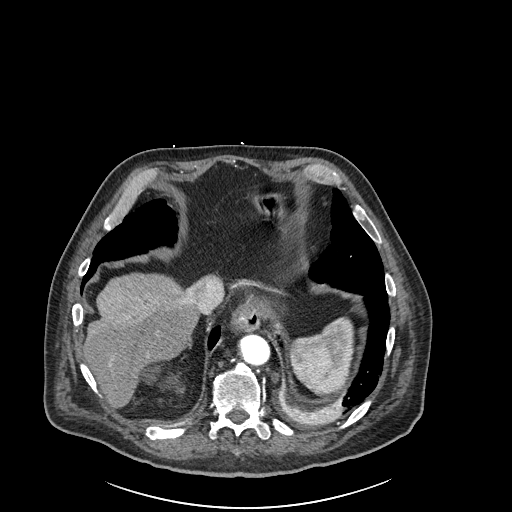
Axial slice 213 of 261 of a contrast-enhanced abdominal CT in the arterial phase (slice 1 is the lowest), 120 kVp, kernel I30f; 2.00 mm slice thickness and 0.939 mm pixels.
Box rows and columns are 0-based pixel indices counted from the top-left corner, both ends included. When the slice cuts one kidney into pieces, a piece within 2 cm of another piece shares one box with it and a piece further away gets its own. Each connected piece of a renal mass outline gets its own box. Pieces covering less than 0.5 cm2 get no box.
Box rows 364–393, columns 138–184: right kidney (outlined area 580 px, about 5.1 cm2). This slice carries no renal mass outline.